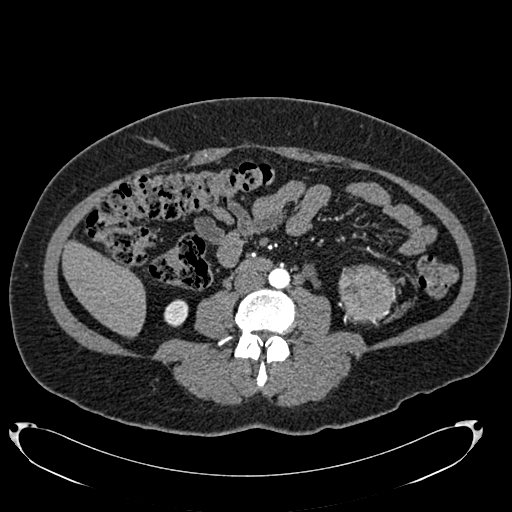
Axial slice 321 of 634 of a contrast-enhanced abdominal CT in the arterial phase (slice 1 is the lowest), 120 kVp, kernel B20f; 1.00 mm slice thickness and 0.838 mm pixels.
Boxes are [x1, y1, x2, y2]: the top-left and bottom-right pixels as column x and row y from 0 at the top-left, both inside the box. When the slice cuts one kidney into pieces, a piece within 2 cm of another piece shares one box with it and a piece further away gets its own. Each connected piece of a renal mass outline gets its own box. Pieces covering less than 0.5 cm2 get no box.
Two boxes on this slice (one kidney box and one renal mass box), listed by box centre from the image's left to its right. (1) Right kidney, box [164, 299, 188, 326] (outlined area 534 px, about 3.7 cm2). (2) Left renal mass at [338, 264, 395, 323] (outlined area 2,705 px, about 19.0 cm2); here it is more than 1 cm from any kidney outline, though on another slice the same outlined renal mass lies within 1 cm of the kidney.